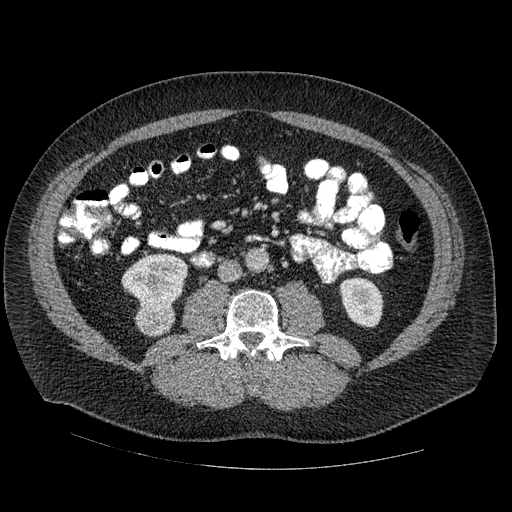
Abdominal CT with intravenous contrast, arterial phase, axial plane, 120 kVp, kernel STANDARD. Slice 243/445 from the bottom of the scan; thickness 1.25 mm; pixel size 0.863 mm.
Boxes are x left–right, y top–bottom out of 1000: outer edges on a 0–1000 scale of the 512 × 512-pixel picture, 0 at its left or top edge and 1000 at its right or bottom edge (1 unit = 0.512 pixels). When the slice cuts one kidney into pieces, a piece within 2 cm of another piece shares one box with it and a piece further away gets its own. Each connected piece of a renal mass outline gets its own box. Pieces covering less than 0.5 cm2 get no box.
Two kidney boxes and one renal mass box on this slice; by box centre, from the image's left to its right: (1) Right kidney at x 236–369, y 494–602 out of 1000 (outlined area 2,679 px, about 20.0 cm2). (2) Right renal mass at x 262–344, y 590–658 out of 1000 (outlined area 1,151 px, about 8.6 cm2). (3) Left kidney at x 664–750, y 543–641 out of 1000 (outlined area 1,719 px, about 12.8 cm2).